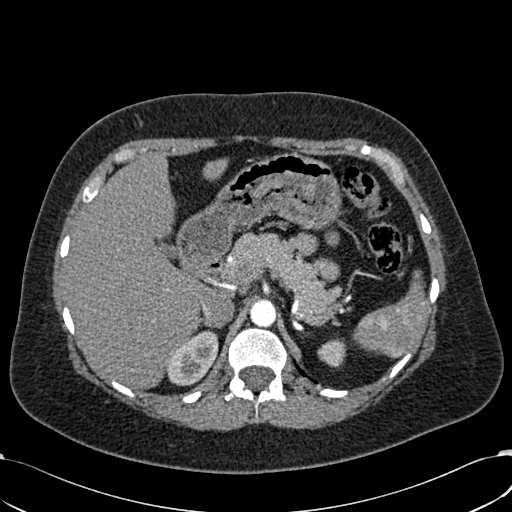
One axial slice (445 of 532, counting up from the lowest) of an arterial-phase abdominal CT acquired with 120 kVp, kernel B30f; each pixel is 0.713 mm and the slice is 1.00 mm thick.
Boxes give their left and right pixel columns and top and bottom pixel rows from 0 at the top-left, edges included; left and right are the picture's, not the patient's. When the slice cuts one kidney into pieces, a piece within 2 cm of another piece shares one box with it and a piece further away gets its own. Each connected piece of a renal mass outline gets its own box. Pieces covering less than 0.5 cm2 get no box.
Boxed on this slice (two kidney boxes), listed by box centre from the image's left to its right: (1) Right kidney in the box with left 166, top 330, right 218, bottom 385 (outlined area 2,017 px, about 10.3 cm2). (2) Box with left 317, top 339, right 345, bottom 367: left kidney (outlined area 619 px, about 3.1 cm2). No renal mass is outlined on this slice.